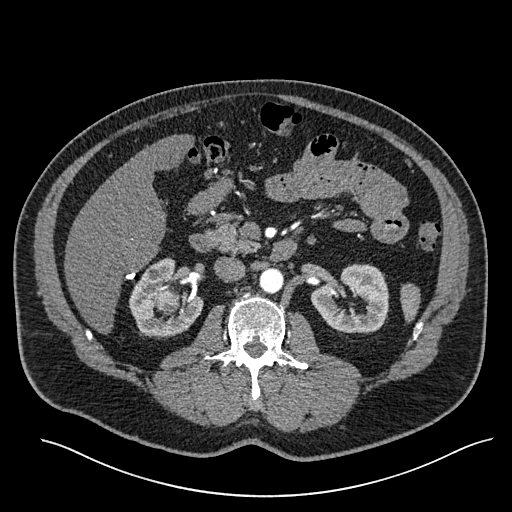
Abdominal CT with intravenous contrast, arterial phase, axial plane, 120 kVp, kernel I30f. Slice 334/527 from the bottom of the scan; thickness 1.00 mm; pixel size 0.859 mm.
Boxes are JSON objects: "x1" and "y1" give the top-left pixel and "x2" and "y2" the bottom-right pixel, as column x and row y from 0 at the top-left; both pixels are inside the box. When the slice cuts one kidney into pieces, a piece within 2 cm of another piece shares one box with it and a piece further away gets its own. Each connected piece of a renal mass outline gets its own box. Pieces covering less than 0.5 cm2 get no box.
Two kidney boxes and one renal mass box on this slice; by box centre, from the image's left to its right: (1) Right kidney, box {"x1": 129, "y1": 257, "x2": 203, "y2": 339} (outlined area 3,489 px, about 25.8 cm2). (2) Right renal mass at {"x1": 154, "y1": 286, "x2": 180, "y2": 314} (outlined area 622 px, about 4.6 cm2). (3) Box {"x1": 311, "y1": 263, "x2": 389, "y2": 333}: left kidney (outlined area 3,833 px, about 28.3 cm2).